Arterial-phase contrast-enhanced abdominal CT, axial slice 59 of 207 (counted from the lowest slice); tube voltage 120 kVp, convolution kernel FC18; slices 2.00 mm thick, 0.741 mm per pixel.
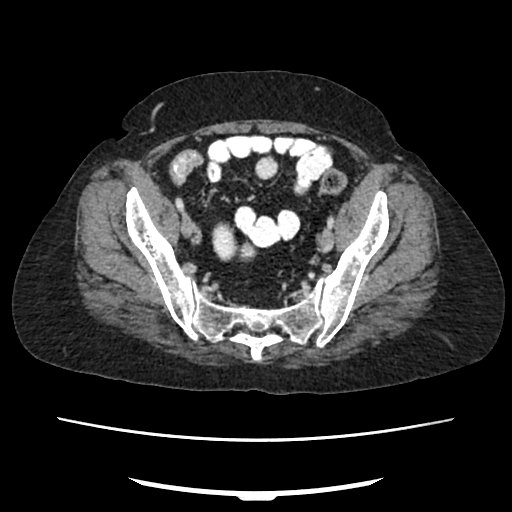
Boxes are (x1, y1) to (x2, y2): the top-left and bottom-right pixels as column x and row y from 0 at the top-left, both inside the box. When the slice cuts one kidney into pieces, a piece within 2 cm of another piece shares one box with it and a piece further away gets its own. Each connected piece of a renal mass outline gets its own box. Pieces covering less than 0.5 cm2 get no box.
Right kidney from (211, 222) to (236, 259) (outlined area 767 px, about 4.2 cm2). No renal mass outline on this slice.